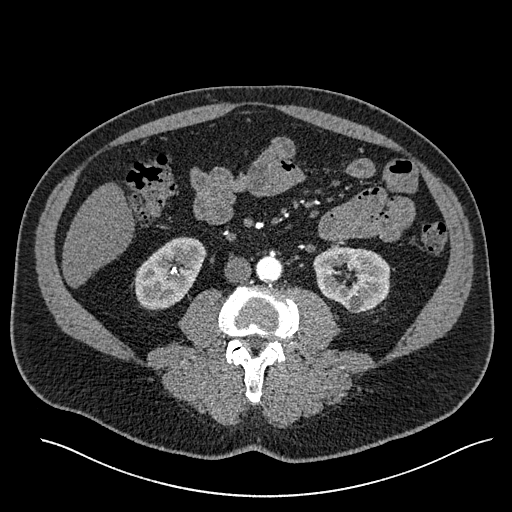
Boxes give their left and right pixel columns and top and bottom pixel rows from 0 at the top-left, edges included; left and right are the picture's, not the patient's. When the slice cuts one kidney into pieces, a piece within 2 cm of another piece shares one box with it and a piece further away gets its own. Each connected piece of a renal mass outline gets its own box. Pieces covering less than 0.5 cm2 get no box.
Arterial-phase contrast-enhanced abdominal CT, axial slice 239 of 527 (counted from the lowest slice); 1.00 mm thick, 0.859 mm per pixel. Two boxes on this slice (two kidney boxes), listed by box centre from the image's left to its right. (1) Box with left 134, top 237, right 205, bottom 309: right kidney (outlined area 3,611 px, about 26.7 cm2). (2) Box with left 313, top 247, right 390, bottom 313: left kidney (outlined area 3,873 px, about 28.6 cm2). No renal mass is outlined on this slice.
Acquired at 120 kVp and reconstructed with the I30f kernel.